One axial slice (54 of 274, counting up from the lowest) of an arterial-phase abdominal CT acquired with 120 kVp, kernel B30f; each pixel is 0.809 mm and the slice is 2.00 mm thick.
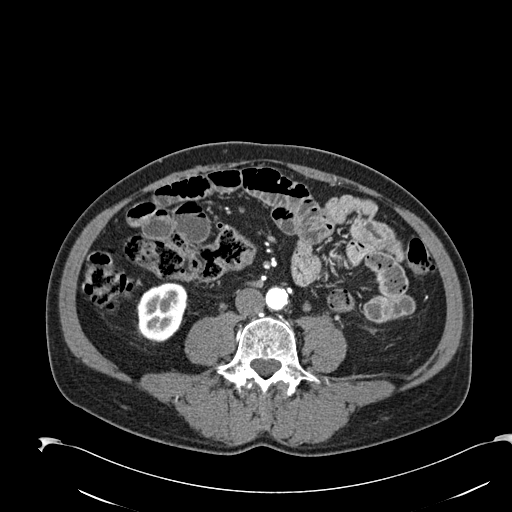
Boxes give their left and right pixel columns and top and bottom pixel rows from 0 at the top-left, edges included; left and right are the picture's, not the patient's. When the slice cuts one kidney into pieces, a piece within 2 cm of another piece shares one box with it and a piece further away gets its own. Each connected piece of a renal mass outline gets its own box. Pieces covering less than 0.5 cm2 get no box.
Right kidney in the box with left 136, top 282, right 187, bottom 342 (outlined area 2,393 px, about 15.6 cm2). No renal mass is outlined on this slice.